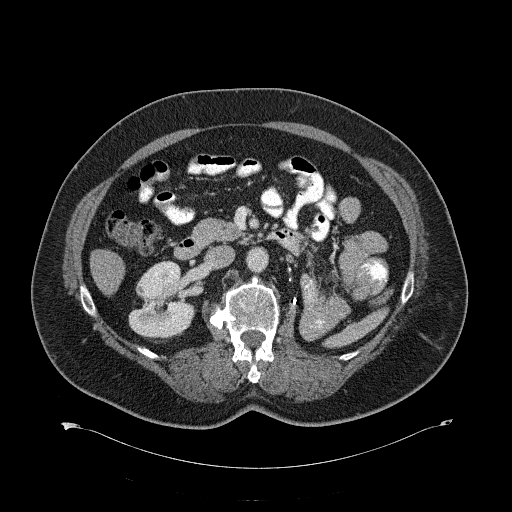
Contrast-enhanced abdominal CT, axial slice 365 of 734 (counted from the lowest slice); tube voltage 120 kVp, convolution kernel B31f; slices 2.00 mm thick, 0.971 mm per pixel.
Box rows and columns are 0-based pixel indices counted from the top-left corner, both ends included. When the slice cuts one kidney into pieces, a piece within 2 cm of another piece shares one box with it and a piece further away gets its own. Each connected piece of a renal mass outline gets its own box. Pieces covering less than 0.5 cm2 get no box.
Right kidney at rows 260–339, columns 128–194 (outlined area 3,706 px, about 34.9 cm2). No renal mass outline on this slice.